One axial slice (344 of 734, counting up from the lowest) of a contrast-enhanced abdominal CT acquired with 120 kVp, kernel B31f; each pixel is 0.971 mm and the slice is 2.00 mm thick.
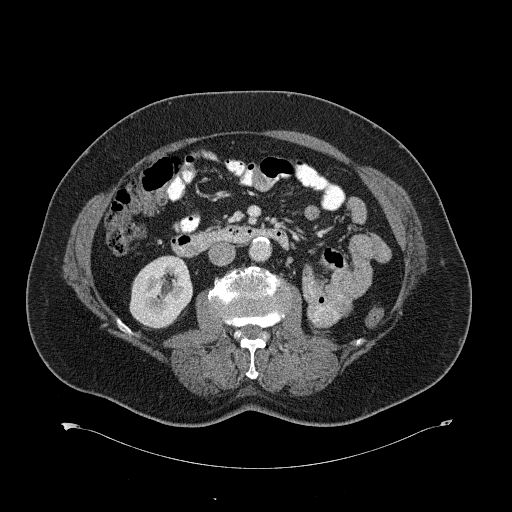
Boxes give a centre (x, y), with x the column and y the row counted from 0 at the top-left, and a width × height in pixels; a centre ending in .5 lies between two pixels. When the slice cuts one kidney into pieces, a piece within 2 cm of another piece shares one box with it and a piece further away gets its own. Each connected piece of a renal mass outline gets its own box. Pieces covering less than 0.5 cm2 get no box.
Box centre (160.5, 291.5), 64 × 74 pixels: right kidney (outlined area 3,533 px, about 33.3 cm2). This slice carries no renal mass outline.